Arterial-phase contrast-enhanced abdominal CT, axial slice 298 of 683 (counted from the lowest slice); tube voltage 120 kVp, convolution kernel I30f; slices 1.00 mm thick, 0.738 mm per pixel.
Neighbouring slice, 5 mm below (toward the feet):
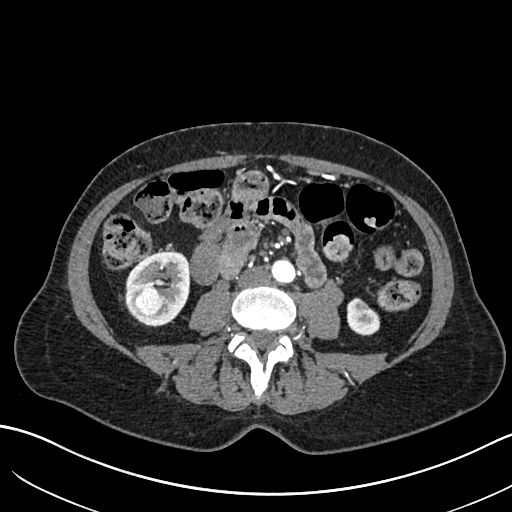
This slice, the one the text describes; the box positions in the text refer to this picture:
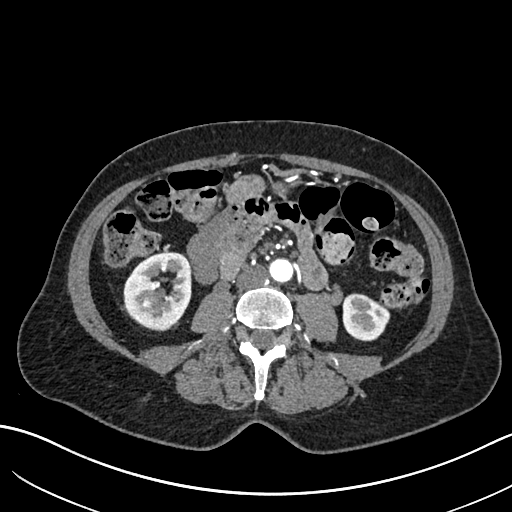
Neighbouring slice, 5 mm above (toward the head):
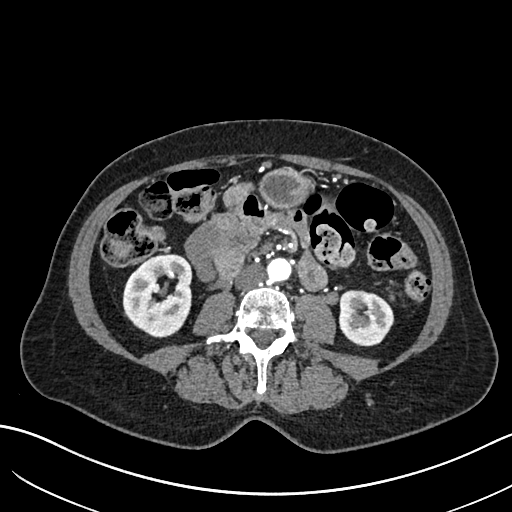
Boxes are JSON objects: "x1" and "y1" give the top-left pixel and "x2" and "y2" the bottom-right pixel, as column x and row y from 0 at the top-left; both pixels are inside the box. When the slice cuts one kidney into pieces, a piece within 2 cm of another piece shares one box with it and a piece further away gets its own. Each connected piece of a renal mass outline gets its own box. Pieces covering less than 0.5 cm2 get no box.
Two kidney boxes and one renal mass box on this slice; by box centre, from the image's left to its right: (1) Right renal mass at {"x1": 144, "y1": 291, "x2": 163, "y2": 307} (outlined area 273 px, about 1.5 cm2). (2) Box {"x1": 123, "y1": 251, "x2": 191, "y2": 330}: right kidney (outlined area 3,891 px, about 21.2 cm2). (3) Left kidney, box {"x1": 343, "y1": 293, "x2": 390, "y2": 341} (outlined area 1,757 px, about 9.6 cm2). This slice lies near the end of the right renal mass toward the head; the slices 5 mm below and 5 mm above it are shown too, and the boxes mark positions on this slice only.